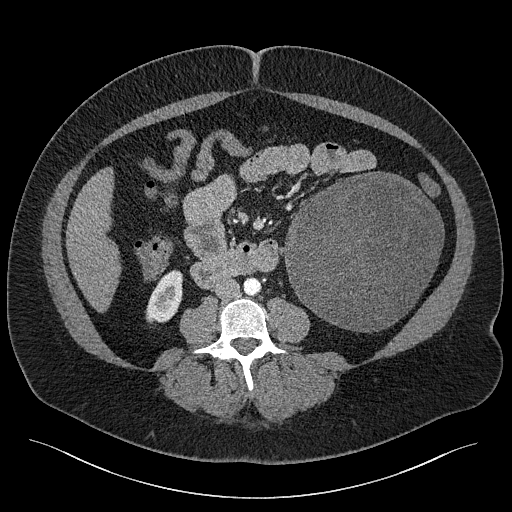
One axial slice (90 of 301, counting up from the lowest) of a contrast-enhanced abdominal CT acquired with 120 kVp, kernel I40f; each pixel is 0.859 mm and the slice is 2.00 mm thick.
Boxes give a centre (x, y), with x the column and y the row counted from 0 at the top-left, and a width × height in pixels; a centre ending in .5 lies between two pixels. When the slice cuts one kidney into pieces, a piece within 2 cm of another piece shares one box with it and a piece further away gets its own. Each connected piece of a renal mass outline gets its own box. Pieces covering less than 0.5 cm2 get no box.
Two boxes on this slice (one kidney box and one renal mass box), listed by box centre from the image's left to its right. (1) Right kidney in a box with centre (163.5, 296), 38 × 55 pixels (outlined area 1,428 px, about 10.5 cm2). (2) Left renal mass, box centre (363.5, 251.5), 162 × 162 pixels (outlined area 19,494 px, about 144.0 cm2); it sits over 1 cm from every kidney outline on this slice, but the same outlined renal mass comes within 1 cm of the kidney on another slice.